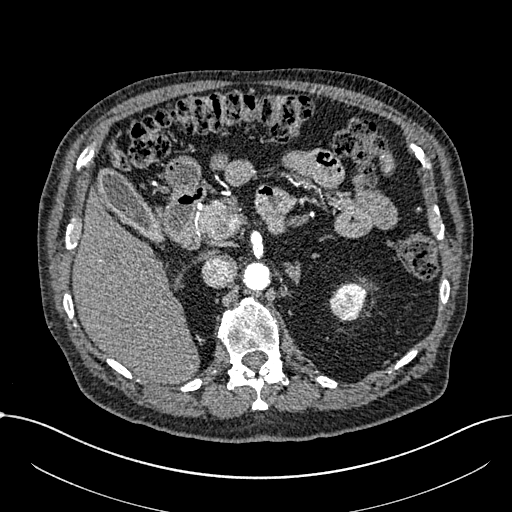
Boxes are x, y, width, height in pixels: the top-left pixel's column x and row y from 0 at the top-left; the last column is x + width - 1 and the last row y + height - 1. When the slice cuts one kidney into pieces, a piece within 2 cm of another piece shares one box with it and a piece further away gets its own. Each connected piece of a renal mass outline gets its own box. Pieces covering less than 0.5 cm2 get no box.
Slice 460/1059 of a contrast-enhanced abdominal CT in the arterial phase, counting up from the lowest; pixel size 0.811 mm, slice thickness 1.00 mm. Left part of the midline-crossing kidney, box x 329, y 282, width 39, height 40 (outlined area 1,117 px, about 7.3 cm2). No renal mass is outlined on this slice.
Tube voltage 100 kVp; convolution kernel I30f.